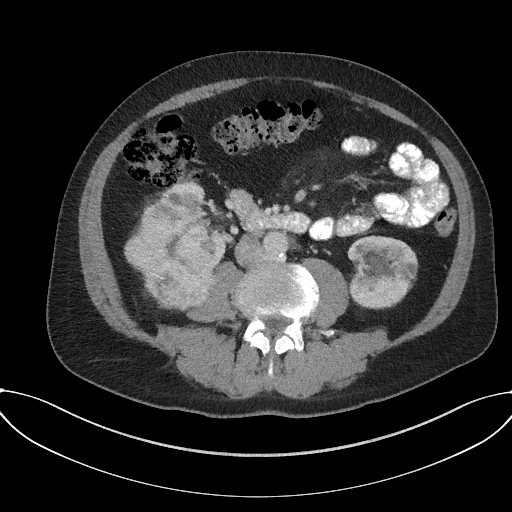
Arterial-phase contrast-enhanced abdominal CT, axial slice 81 of 227 (counted from the lowest slice); tube voltage 120 kVp, convolution kernel I31f; slices 3.00 mm thick, 0.816 mm per pixel.
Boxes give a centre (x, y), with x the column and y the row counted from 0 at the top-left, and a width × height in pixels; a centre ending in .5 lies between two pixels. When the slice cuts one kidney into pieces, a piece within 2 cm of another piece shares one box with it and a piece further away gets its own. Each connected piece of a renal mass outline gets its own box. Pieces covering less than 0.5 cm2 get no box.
Two kidney boxes and one renal mass box on this slice; by box centre, from the image's left to its right: (1) Right renal mass, box centre (171.5, 254.5), 96 × 112 pixels (outlined area 7,549 px, about 50.3 cm2). (2) Right kidney in a box with centre (191.5, 226), 68 × 91 pixels (outlined area 1,542 px, about 10.3 cm2). (3) Left kidney, box centre (382.5, 272.5), 72 × 74 pixels (outlined area 4,261 px, about 28.4 cm2).